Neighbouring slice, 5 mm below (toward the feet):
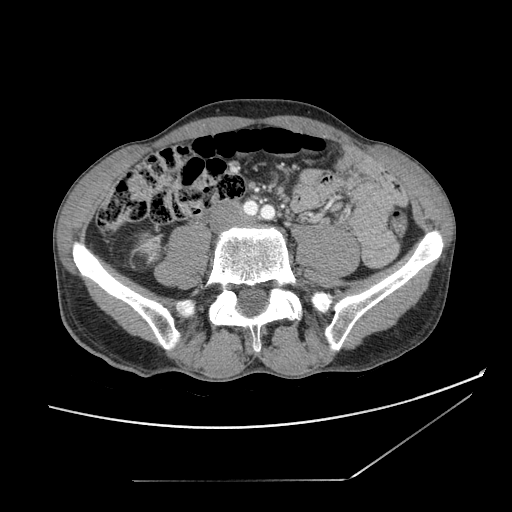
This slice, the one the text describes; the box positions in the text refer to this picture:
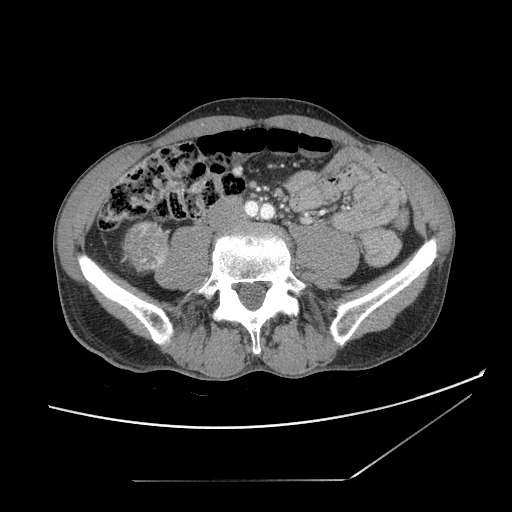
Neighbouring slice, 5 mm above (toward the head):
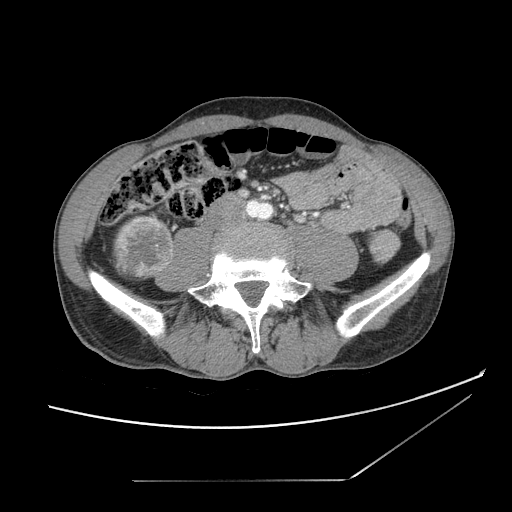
Contrast-enhanced abdominal CT, axial slice 31 of 121 (counted from the lowest slice); tube voltage 120 kVp, convolution kernel STANDARD; slices 2.50 mm thick, 0.742 mm per pixel.
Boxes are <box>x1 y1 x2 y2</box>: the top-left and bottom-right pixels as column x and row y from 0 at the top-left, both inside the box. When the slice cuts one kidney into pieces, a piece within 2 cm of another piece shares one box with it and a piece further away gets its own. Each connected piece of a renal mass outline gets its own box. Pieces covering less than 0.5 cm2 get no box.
At <box>121 220 168 272</box>: right renal mass (outlined area 1,992 px, about 11.0 cm2); no kidney outline appears on this slice, but the same outlined renal mass comes within 1 cm of the kidney on another slice. This slice is near the end of the right renal mass toward the feet, so the slices 5 mm below and 5 mm above it are shown as well; the boxes refer to this slice only.